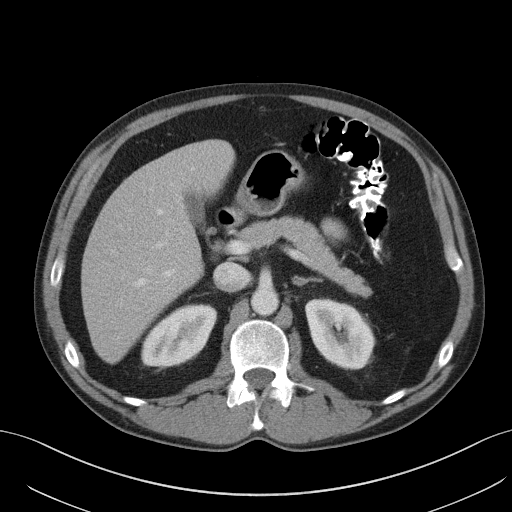
Abdominal CT with intravenous contrast, arterial phase, axial plane, 120 kVp, kernel B41f. Slice 65/131 from the bottom of the scan; thickness 5.00 mm; pixel size 0.760 mm.
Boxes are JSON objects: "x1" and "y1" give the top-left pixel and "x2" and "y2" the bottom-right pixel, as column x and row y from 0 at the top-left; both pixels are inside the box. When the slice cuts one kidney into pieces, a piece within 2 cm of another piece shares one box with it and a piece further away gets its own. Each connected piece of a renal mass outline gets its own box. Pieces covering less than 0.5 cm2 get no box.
Two boxes on this slice (two kidney boxes), listed by box centre from the image's left to its right. (1) Box {"x1": 141, "y1": 304, "x2": 216, "y2": 368}: right kidney (outlined area 3,321 px, about 19.2 cm2). (2) Box {"x1": 305, "y1": 299, "x2": 374, "y2": 369}: left kidney (outlined area 3,616 px, about 20.9 cm2). No renal mass outline on this slice.